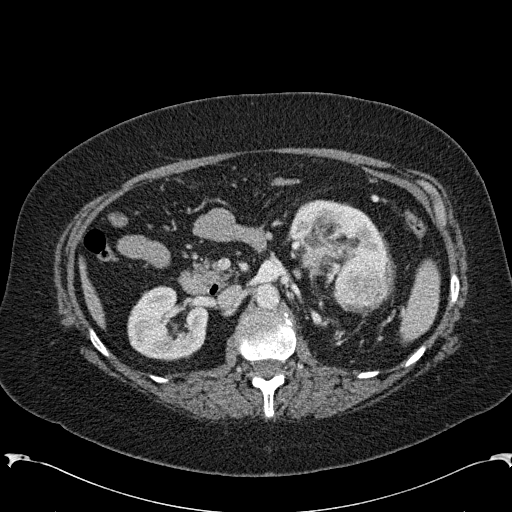
One axial slice (140 of 285, counting up from the lowest) of an arterial-phase abdominal CT acquired with 120 kVp, kernel B31f; each pixel is 0.762 mm and the slice is 2.00 mm thick.
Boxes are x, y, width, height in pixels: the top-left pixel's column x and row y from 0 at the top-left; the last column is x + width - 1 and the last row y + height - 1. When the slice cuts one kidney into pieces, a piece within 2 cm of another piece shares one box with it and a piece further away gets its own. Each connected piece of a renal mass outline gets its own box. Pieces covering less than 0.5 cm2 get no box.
Three boxes on this slice (two kidney boxes and one renal mass box), listed by box centre from the image's left to its right. (1) Right kidney at x 127, y 286, width 82, height 76 (outlined area 4,574 px, about 26.5 cm2). (2) Left kidney at x 289, y 199, width 102, height 66 (outlined area 3,407 px, about 19.8 cm2). (3) Left renal mass, box x 307, y 231, width 88, height 82 (outlined area 4,681 px, about 27.2 cm2).